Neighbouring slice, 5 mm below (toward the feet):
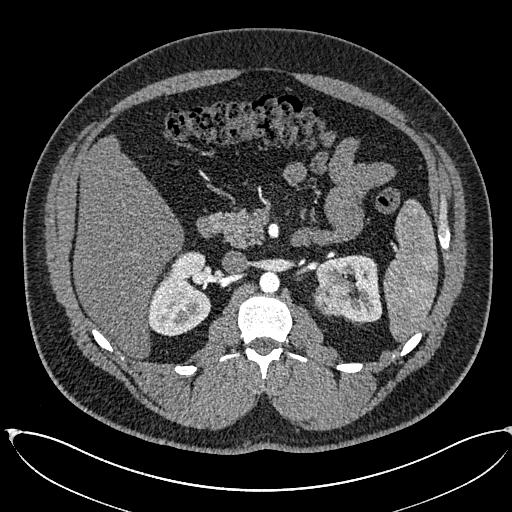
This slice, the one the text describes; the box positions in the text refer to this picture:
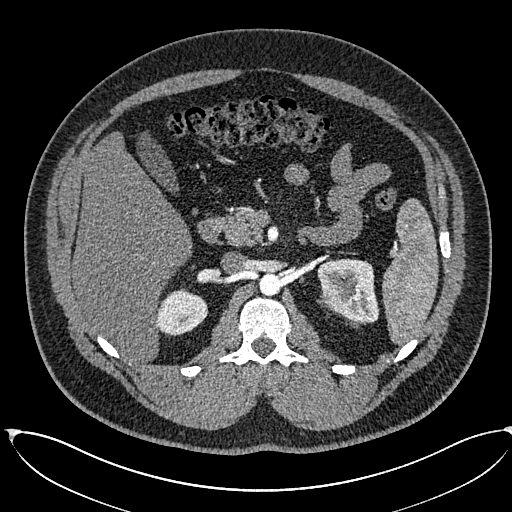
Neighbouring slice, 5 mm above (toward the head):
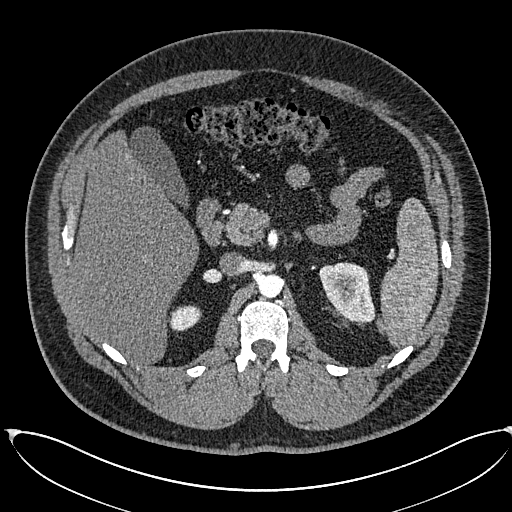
Abdominal CT with intravenous contrast, arterial phase, axial plane, 120 kVp, kernel I30f. Slice 394/673 from the bottom of the scan; thickness 1.00 mm; pixel size 0.855 mm.
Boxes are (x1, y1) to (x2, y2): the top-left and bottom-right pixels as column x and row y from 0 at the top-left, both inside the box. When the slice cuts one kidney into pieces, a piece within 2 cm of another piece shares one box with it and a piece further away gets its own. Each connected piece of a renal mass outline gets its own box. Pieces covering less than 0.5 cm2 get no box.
Boxed on this slice (two kidney boxes and one renal mass box), listed by box centre from the image's left to its right: (1) Right kidney from (156, 289) to (208, 335) (outlined area 1,824 px, about 13.3 cm2). (2) Left renal mass from (319, 289) to (348, 313) (outlined area 548 px, about 4.0 cm2). (3) Left kidney from (317, 258) to (379, 323) (outlined area 2,673 px, about 19.6 cm2). This slice lies near the end of the left renal mass toward the head; the slices 5 mm below and 5 mm above it are shown too, and the boxes mark positions on this slice only.